Abdominal CT with intravenous contrast, arterial phase, axial plane, 130 kVp, kernel B30s. Slice 59/96 from the bottom of the scan; thickness 3.00 mm; pixel size 0.781 mm.
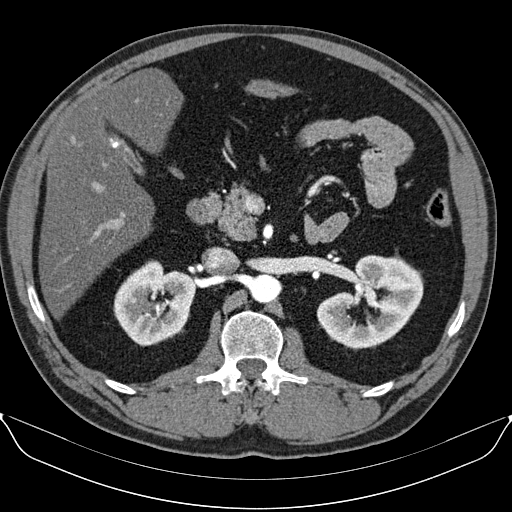
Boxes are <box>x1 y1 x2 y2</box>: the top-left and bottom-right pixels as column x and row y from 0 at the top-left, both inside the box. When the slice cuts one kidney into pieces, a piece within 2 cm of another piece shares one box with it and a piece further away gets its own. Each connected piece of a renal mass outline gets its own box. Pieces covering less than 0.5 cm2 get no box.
Two boxes on this slice (two kidney boxes), listed by box centre from the image's left to its right. (1) Right kidney: <box>113 260 195 346</box> (outlined area 5,018 px, about 30.6 cm2). (2) Left kidney: <box>316 254 423 350</box> (outlined area 6,593 px, about 40.2 cm2). This slice carries no renal mass outline.